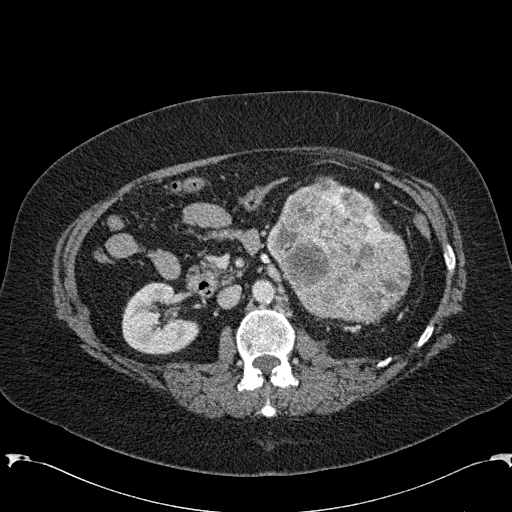
Axial slice 127 of 285 of a contrast-enhanced abdominal CT in the arterial phase (slice 1 is the lowest), 120 kVp, kernel B31f; 2.00 mm slice thickness and 0.762 mm pixels.
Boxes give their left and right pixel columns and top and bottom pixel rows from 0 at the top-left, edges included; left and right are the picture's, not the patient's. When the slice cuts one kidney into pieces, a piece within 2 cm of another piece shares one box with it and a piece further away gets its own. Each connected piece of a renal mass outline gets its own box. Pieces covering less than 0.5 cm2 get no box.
Two boxes on this slice (one kidney box and one renal mass box), listed by box centre from the image's left to its right. (1) Right kidney, the box with left 121, top 282, right 199, bottom 354 (outlined area 4,058 px, about 23.5 cm2). (2) Left renal mass, the box with left 266, top 176, right 411, bottom 322 (outlined area 14,959 px, about 86.8 cm2); here it is more than 1 cm from any kidney outline, though on another slice the same outlined renal mass lies within 1 cm of the kidney.